Axial slice 376 of 548 of a contrast-enhanced abdominal CT in the arterial phase (slice 1 is the lowest), 120 kVp, kernel I26f; 1.00 mm slice thickness and 0.852 mm pixels.
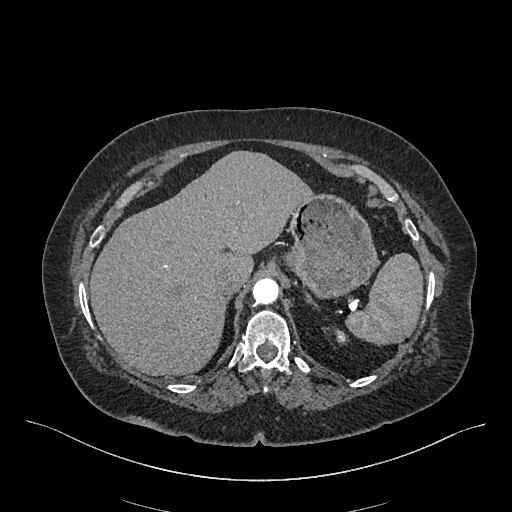
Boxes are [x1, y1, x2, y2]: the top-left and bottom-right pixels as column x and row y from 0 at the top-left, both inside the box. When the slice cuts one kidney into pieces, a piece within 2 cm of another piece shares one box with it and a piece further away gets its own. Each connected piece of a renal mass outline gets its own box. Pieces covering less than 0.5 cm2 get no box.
Left kidney at [336, 331, 346, 341] (outlined area 87 px, about 0.6 cm2). No renal mass is outlined on this slice.